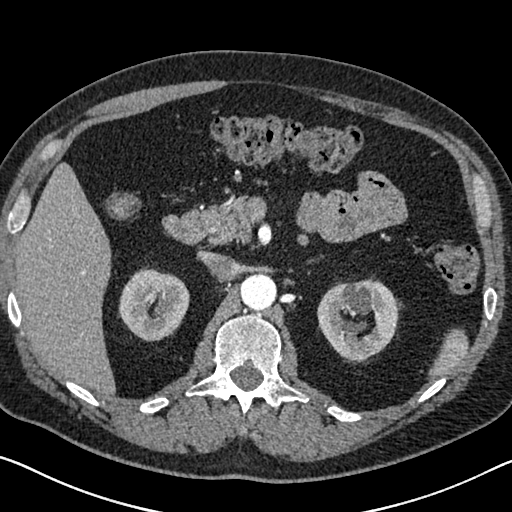
Abdominal CT with intravenous contrast, arterial phase, axial plane, 120 kVp, kernel I30f. Slice 448/626 from the bottom of the scan; thickness 1.00 mm; pixel size 0.703 mm.
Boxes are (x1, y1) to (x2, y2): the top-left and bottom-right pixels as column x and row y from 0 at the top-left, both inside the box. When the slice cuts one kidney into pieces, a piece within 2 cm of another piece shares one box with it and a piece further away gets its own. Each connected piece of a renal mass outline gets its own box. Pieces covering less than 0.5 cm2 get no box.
Two boxes on this slice (two kidney boxes), listed by box centre from the image's left to its right. (1) Right kidney, box (118, 267) to (189, 340) (outlined area 3,916 px, about 19.4 cm2). (2) Left kidney, box (317, 277) to (398, 360) (outlined area 4,893 px, about 24.2 cm2). No renal mass outline on this slice.